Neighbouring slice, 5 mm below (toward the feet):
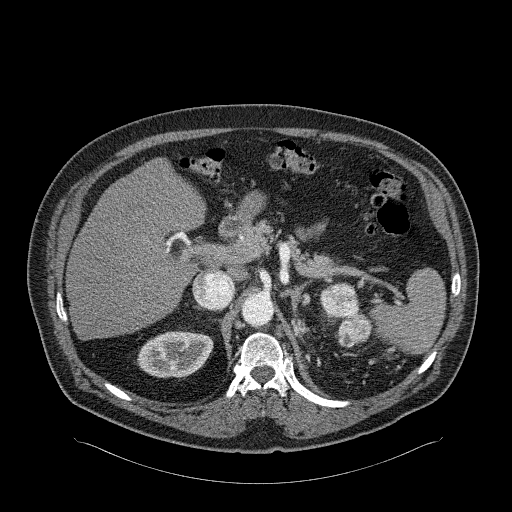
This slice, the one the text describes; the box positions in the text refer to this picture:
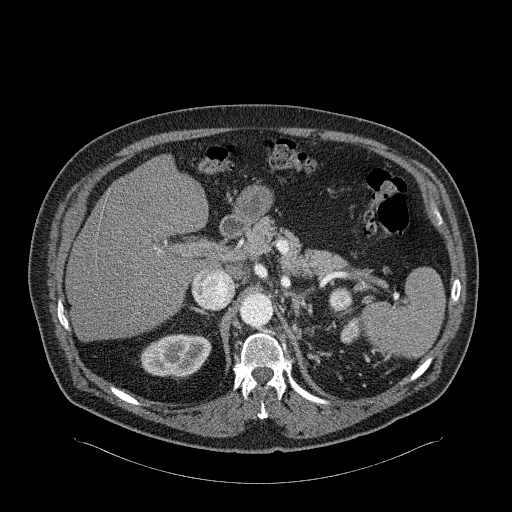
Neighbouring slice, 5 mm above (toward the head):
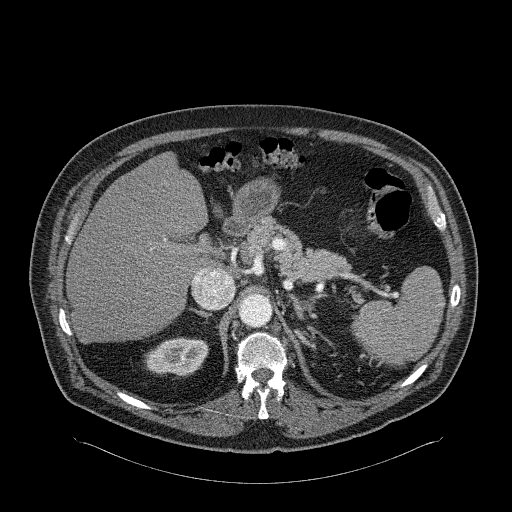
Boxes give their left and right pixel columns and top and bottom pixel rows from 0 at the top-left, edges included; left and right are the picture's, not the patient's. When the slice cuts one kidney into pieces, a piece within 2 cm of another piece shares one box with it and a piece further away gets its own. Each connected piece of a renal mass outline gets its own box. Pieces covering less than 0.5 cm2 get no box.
This is axial slice 188 of 326 (slice 1 is the lowest) of an arterial-phase abdominal CT with contrast; each pixel is 0.963 mm and the slice is 2.00 mm thick. Three boxes on this slice (one kidney box and two renal mass boxes), listed by box centre from the image's left to its right. (1) Right kidney, the box with left 140, top 334, right 211, bottom 379 (outlined area 2,463 px, about 22.8 cm2). (2) Left renal mass, the box with left 328, top 287, right 352, bottom 311 (outlined area 484 px, about 4.5 cm2); here it is more than 1 cm from any kidney outline, though on another slice the same outlined renal mass lies within 1 cm of the kidney. (3) Left renal mass, the box with left 340, top 317, right 362, bottom 344 (outlined area 444 px, about 4.1 cm2); it sits over 1 cm from every kidney outline on this slice, but the same outlined renal mass comes within 1 cm of the kidney on another slice. This slice is near the end of the left renal mass toward the head, so the slices 5 mm below and 5 mm above it are shown as well; the boxes refer to this slice only.
Tube voltage 120 kVp; convolution kernel B31f.